Abdominal CT with intravenous contrast, arterial phase, axial plane, 120 kVp, kernel I30f. Slice 385/673 from the bottom of the scan; thickness 1.00 mm; pixel size 0.855 mm.
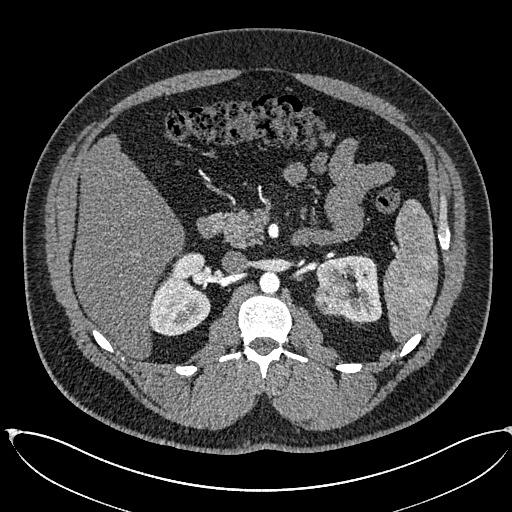
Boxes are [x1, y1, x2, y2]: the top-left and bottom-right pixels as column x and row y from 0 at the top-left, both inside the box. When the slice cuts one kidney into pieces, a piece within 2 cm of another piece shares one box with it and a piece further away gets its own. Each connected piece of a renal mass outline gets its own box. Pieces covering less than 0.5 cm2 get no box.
Boxed on this slice (two kidney boxes and one renal mass box), listed by box centre from the image's left to its right: (1) Right kidney, box [148, 252, 210, 336] (outlined area 3,722 px, about 27.2 cm2). (2) Box [314, 276, 355, 315]: left renal mass (outlined area 1,315 px, about 9.6 cm2). (3) Box [316, 255, 382, 323]: left kidney (outlined area 2,470 px, about 18.1 cm2).